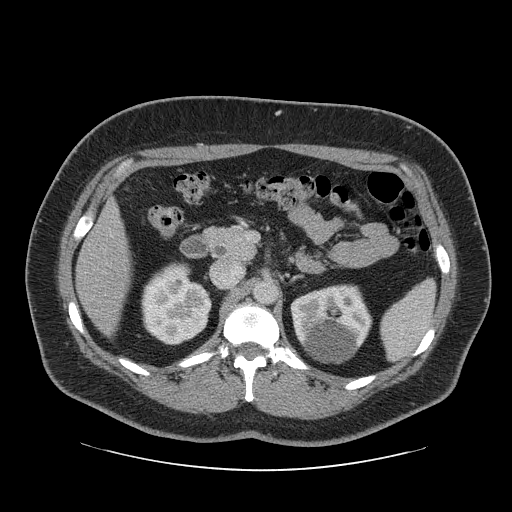
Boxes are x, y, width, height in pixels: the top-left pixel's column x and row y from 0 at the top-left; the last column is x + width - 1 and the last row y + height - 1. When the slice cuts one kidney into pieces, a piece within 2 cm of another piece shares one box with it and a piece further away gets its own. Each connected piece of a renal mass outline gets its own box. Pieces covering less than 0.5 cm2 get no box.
This is axial slice 47 of 69 (slice 1 is the lowest) of an arterial-phase abdominal CT with contrast; each pixel is 0.846 mm and the slice is 2.50 mm thick. Two kidney boxes on this slice; by box centre, from the image's left to its right: (1) Box x 141, y 262, width 71, height 84: right kidney (outlined area 4,343 px, about 31.1 cm2). (2) Box x 290, y 284, width 83, height 81: left kidney (outlined area 4,982 px, about 35.6 cm2). No renal mass is outlined on this slice.
Acquired at 120 kVp and reconstructed with the STANDARD kernel.